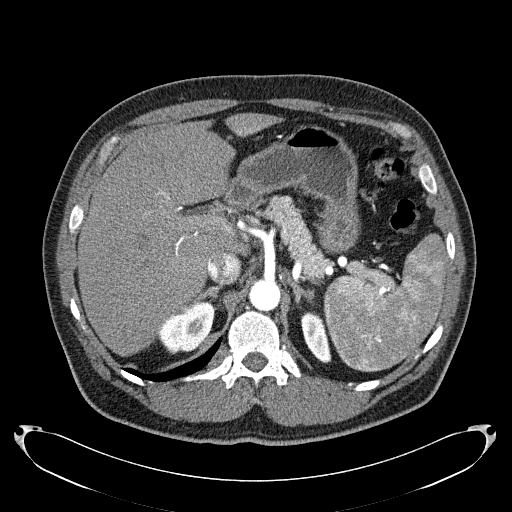
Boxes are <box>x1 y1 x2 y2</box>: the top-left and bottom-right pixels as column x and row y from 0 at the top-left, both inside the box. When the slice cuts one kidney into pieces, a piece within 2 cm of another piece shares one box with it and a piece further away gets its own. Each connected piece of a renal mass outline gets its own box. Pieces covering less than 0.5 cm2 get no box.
This is axial slice 168 of 279 (slice 1 is the lowest) of an arterial-phase abdominal CT with contrast; each pixel is 0.824 mm and the slice is 2.00 mm thick. Boxed on this slice (two kidney boxes), listed by box centre from the image's left to its right: (1) At <box>156 300 216 352</box>: right kidney (outlined area 2,079 px, about 14.1 cm2). (2) Left kidney at <box>301 312 331 363</box> (outlined area 1,049 px, about 7.1 cm2). No renal mass is outlined on this slice.
Tube voltage 120 kVp; convolution kernel B31f.